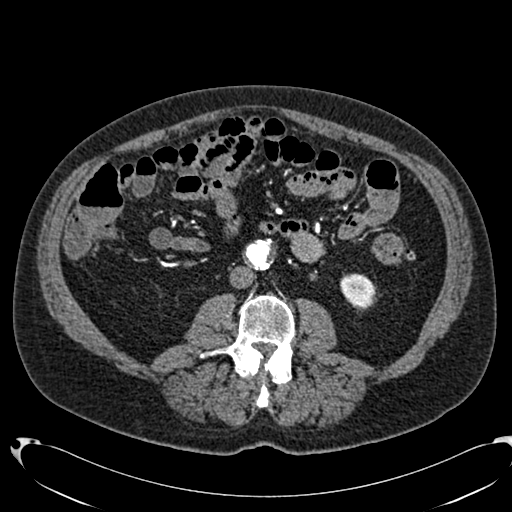
Arterial-phase contrast-enhanced abdominal CT, axial slice 319 of 553 (counted from the lowest slice); tube voltage 120 kVp, convolution kernel B20f; slices 1.00 mm thick, 0.773 mm per pixel.
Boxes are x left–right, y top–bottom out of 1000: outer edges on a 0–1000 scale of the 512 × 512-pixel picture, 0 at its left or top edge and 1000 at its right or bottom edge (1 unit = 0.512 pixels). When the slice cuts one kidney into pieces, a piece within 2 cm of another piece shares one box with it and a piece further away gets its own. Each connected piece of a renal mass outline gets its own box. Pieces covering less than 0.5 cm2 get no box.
Left kidney, box x 664–734, y 533–607 out of 1000 (outlined area 1,010 px, about 6.0 cm2). This slice carries no renal mass outline.